Abdominal CT with intravenous contrast, axial plane, 120 kVp, kernel B31f. Slice 197/274 from the bottom of the scan; thickness 2.00 mm; pixel size 0.977 mm.
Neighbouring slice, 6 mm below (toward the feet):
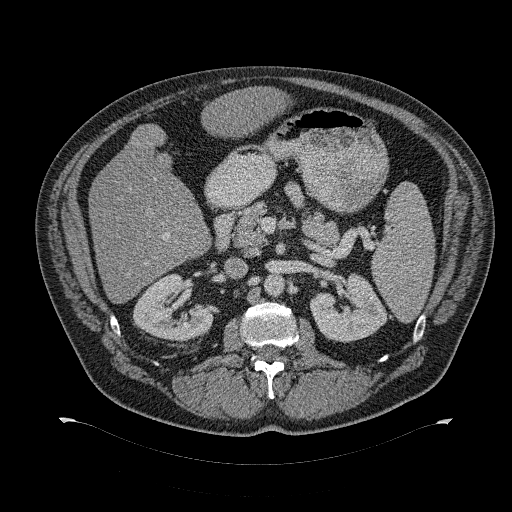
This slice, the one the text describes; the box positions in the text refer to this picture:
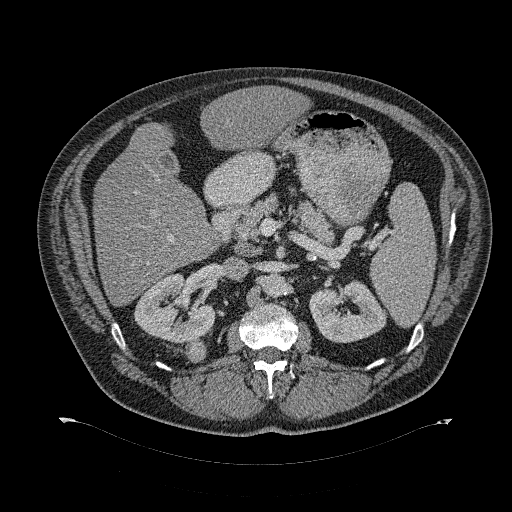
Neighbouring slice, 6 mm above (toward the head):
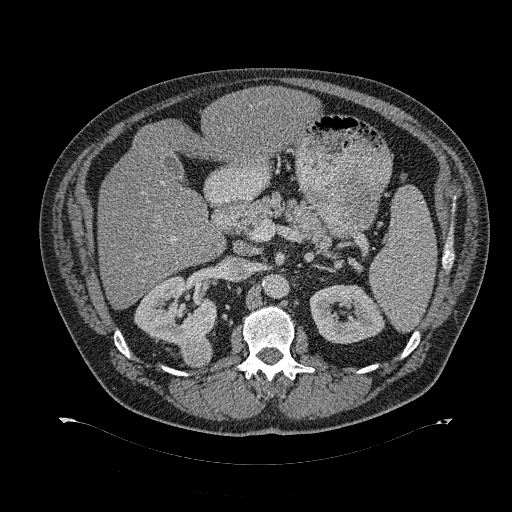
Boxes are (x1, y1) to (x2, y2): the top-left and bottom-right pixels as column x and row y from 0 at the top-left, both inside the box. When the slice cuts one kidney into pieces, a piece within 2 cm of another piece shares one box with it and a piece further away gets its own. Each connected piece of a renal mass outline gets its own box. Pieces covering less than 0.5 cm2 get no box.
Two kidney boxes and one renal mass box on this slice; by box centre, from the image's left to its right: (1) Right kidney from (133, 274) to (215, 343) (outlined area 3,881 px, about 37.0 cm2). (2) Right renal mass from (186, 338) to (205, 361) (outlined area 363 px, about 3.5 cm2). (3) Left kidney from (309, 279) to (386, 342) (outlined area 3,461 px, about 33.0 cm2). This slice is near the end of the right renal mass toward the feet, so the slices 6 mm below and 6 mm above it are shown as well; the boxes refer to this slice only.